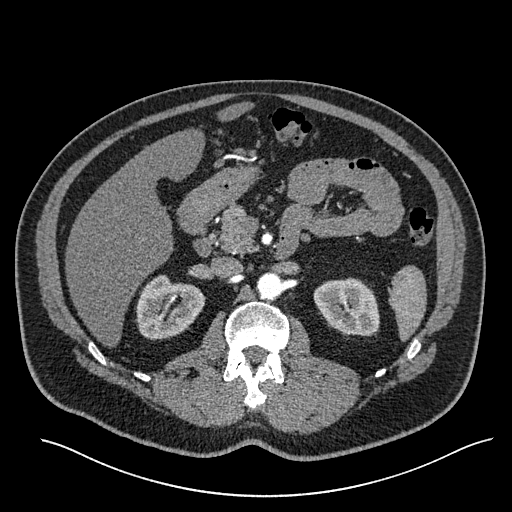
One axial slice (361 of 527, counting up from the lowest) of an arterial-phase abdominal CT acquired with 120 kVp, kernel I30f; each pixel is 0.859 mm and the slice is 1.00 mm thick.
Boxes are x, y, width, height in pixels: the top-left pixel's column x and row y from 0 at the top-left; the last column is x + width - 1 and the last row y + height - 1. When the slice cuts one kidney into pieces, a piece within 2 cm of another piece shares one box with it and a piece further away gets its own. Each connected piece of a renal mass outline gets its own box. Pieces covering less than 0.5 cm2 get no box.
Boxed on this slice (two kidney boxes), listed by box centre from the image's left to its right: (1) Right kidney, box x 135, y 274, width 71, height 67 (outlined area 3,230 px, about 23.9 cm2). (2) Box x 313, y 277, width 67, height 60: left kidney (outlined area 3,016 px, about 22.3 cm2).